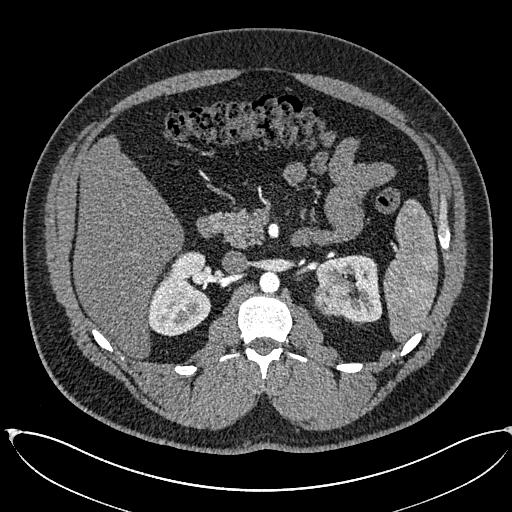
Axial slice 384 of 673 of a contrast-enhanced abdominal CT in the arterial phase (slice 1 is the lowest), 120 kVp, kernel I30f; 1.00 mm slice thickness and 0.855 mm pixels.
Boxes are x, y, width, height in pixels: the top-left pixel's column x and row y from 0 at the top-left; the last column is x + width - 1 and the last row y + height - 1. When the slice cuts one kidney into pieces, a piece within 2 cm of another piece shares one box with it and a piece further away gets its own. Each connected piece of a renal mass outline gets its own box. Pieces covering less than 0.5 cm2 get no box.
Boxed on this slice (two kidney boxes and one renal mass box), listed by box centre from the image's left to its right: (1) Right kidney at x 148, y 251, width 64, height 86 (outlined area 3,900 px, about 28.5 cm2). (2) Box x 313, y 276, width 43, height 41: left renal mass (outlined area 1,378 px, about 10.1 cm2). (3) Left kidney, box x 316, y 255, width 67, height 69 (outlined area 2,488 px, about 18.2 cm2).